Axial slice 157 of 301 of a contrast-enhanced abdominal CT (slice 1 is the lowest), 120 kVp, kernel I40f; 2.00 mm slice thickness and 0.859 mm pixels.
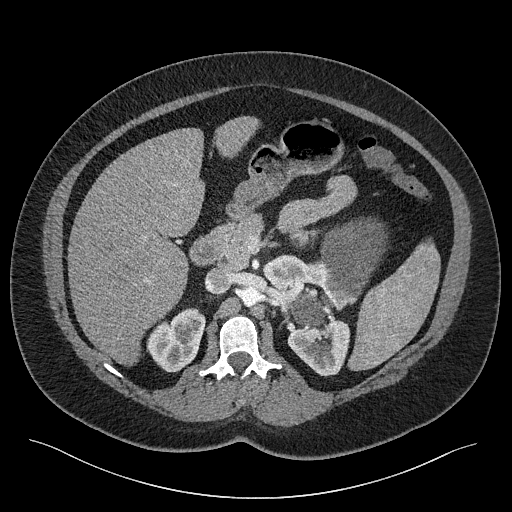
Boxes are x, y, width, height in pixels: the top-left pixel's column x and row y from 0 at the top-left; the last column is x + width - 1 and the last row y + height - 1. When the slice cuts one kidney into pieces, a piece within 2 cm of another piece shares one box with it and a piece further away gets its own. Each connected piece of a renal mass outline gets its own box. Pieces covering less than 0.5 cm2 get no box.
Four boxes on this slice (two kidney boxes and two renal mass boxes), listed by box centre from the image's left to its right. (1) Right kidney, box x 147, y 308, width 59, height 65 (outlined area 2,621 px, about 19.4 cm2). (2) Left kidney, box x 262, y 254, width 89, height 123 (outlined area 4,758 px, about 35.1 cm2). (3) Left renal mass at x 288, y 286, width 47, height 41 (outlined area 1,263 px, about 9.3 cm2). (4) Left renal mass, box x 320, y 217, width 68, height 89 (outlined area 4,057 px, about 30.0 cm2).